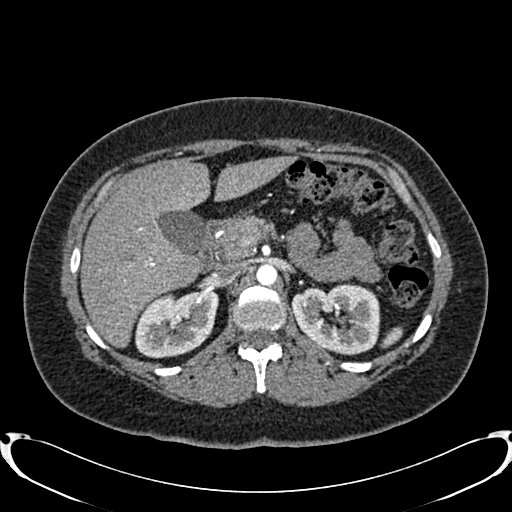
Axial slice 533 of 719 of a contrast-enhanced abdominal CT in the arterial phase (slice 1 is the lowest), 120 kVp, kernel B20f; 1.00 mm slice thickness and 0.766 mm pixels.
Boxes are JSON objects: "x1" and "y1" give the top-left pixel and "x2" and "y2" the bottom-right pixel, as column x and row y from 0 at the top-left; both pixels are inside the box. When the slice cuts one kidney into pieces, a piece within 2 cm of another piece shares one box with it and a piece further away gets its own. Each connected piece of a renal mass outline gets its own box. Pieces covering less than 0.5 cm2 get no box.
Two kidney boxes on this slice; by box centre, from the image's left to its right: (1) Right kidney at {"x1": 135, "y1": 289, "x2": 218, "y2": 358} (outlined area 4,402 px, about 25.8 cm2). (2) Left kidney at {"x1": 291, "y1": 283, "x2": 380, "y2": 355} (outlined area 4,874 px, about 28.6 cm2). No renal mass outline on this slice.